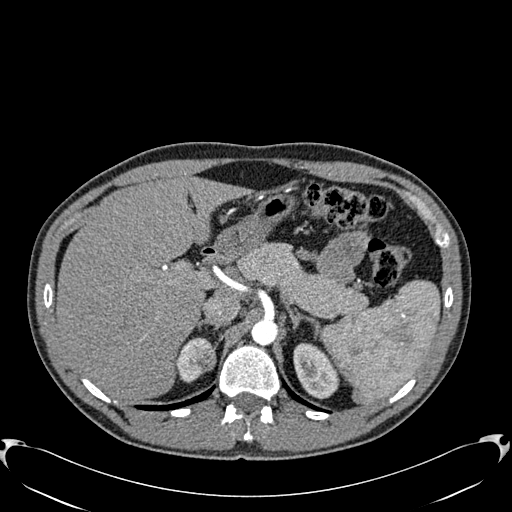
One axial slice (442 of 512, counting up from the lowest) of an arterial-phase abdominal CT acquired with 120 kVp, kernel B30f; each pixel is 0.771 mm and the slice is 1.00 mm thick.
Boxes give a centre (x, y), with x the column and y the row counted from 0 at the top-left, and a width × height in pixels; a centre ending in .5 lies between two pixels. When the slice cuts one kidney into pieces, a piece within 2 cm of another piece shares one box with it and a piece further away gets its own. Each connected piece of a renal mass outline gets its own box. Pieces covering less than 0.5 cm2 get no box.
Boxed on this slice (two kidney boxes and one renal mass box), listed by box centre from the image's left to its right: (1) Box centre (193.5, 359.5), 36 × 46 pixels: right kidney (outlined area 875 px, about 5.2 cm2). (2) Box centre (204.5, 359.5), 22 × 24 pixels: right renal mass (outlined area 403 px, about 2.4 cm2). (3) Left kidney in a box with centre (316, 370.5), 47 × 58 pixels (outlined area 1,882 px, about 11.2 cm2).